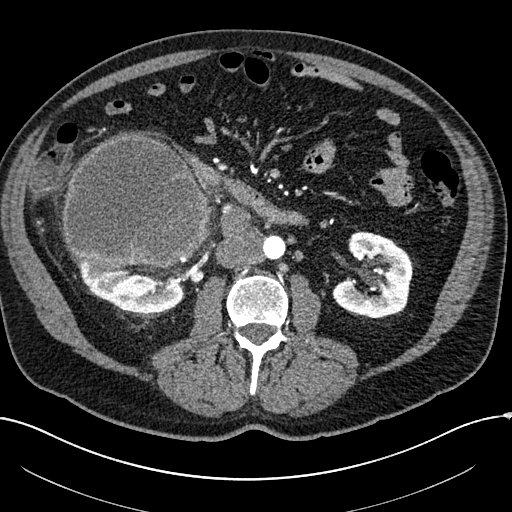
Arterial-phase contrast-enhanced abdominal CT, axial slice 93 of 304 (counted from the lowest slice); tube voltage 100 kVp, convolution kernel I30f; slices 2.00 mm thick, 0.809 mm per pixel.
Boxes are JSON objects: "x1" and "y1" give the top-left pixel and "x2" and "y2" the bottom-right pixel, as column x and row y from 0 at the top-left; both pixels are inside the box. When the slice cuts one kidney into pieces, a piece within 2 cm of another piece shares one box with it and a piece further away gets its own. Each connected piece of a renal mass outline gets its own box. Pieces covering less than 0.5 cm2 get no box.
Boxed on this slice (two kidney boxes and one renal mass box), listed by box centre from the image's left to its right: (1) Right kidney, box {"x1": 73, "y1": 258, "x2": 184, "y2": 312} (outlined area 3,909 px, about 25.6 cm2). (2) Box {"x1": 61, "y1": 133, "x2": 211, "y2": 268}: right renal mass (outlined area 15,990 px, about 104.5 cm2). (3) Left kidney at {"x1": 332, "y1": 231, "x2": 412, "y2": 318} (outlined area 4,938 px, about 32.3 cm2).